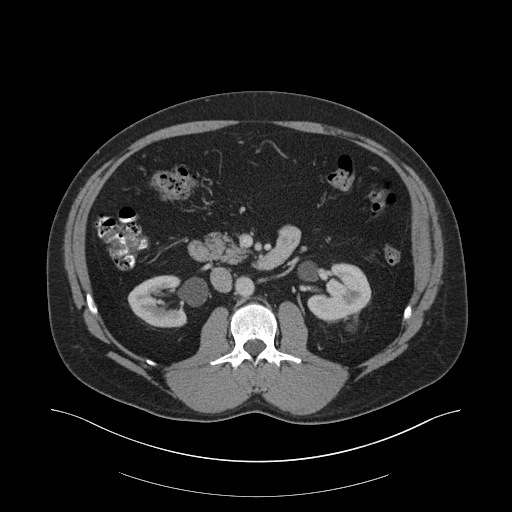
Axial slice 105 of 159 of a contrast-enhanced abdominal CT in the arterial phase (slice 1 is the lowest), 140 kVp, kernel B30f; 3.00 mm slice thickness and 0.977 mm pixels.
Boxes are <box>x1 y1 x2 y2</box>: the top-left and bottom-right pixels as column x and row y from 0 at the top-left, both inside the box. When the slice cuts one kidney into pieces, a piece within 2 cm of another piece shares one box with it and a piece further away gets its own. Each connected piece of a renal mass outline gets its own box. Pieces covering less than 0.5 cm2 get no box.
Boxed on this slice (two kidney boxes), listed by box centre from the image's left to its right: (1) Right kidney: <box>127 275 187 327</box> (outlined area 2,249 px, about 21.4 cm2). (2) Left kidney at <box>307 263 371 320</box> (outlined area 2,613 px, about 24.9 cm2). No renal mass outline on this slice.